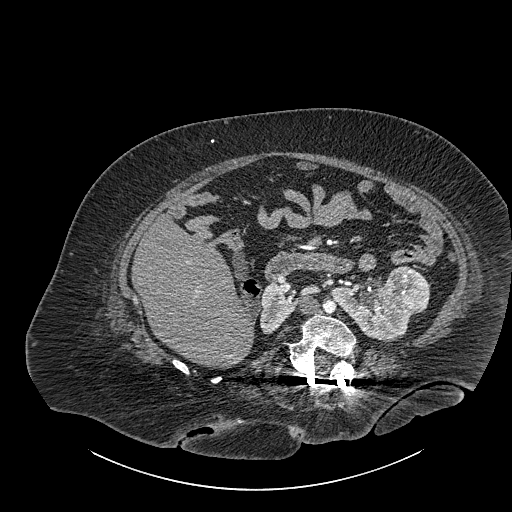
Axial slice 525 of 834 of a contrast-enhanced abdominal CT (slice 1 is the lowest), 140 kVp, kernel I30f; 1.00 mm slice thickness and 0.977 mm pixels.
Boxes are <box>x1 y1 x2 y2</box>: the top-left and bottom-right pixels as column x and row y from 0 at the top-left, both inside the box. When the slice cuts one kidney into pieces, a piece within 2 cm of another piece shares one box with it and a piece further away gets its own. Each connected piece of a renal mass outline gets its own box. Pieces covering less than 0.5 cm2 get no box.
Three boxes on this slice (two kidney boxes and one renal mass box), listed by box centre from the image's left to its right. (1) Right part of the midline-crossing kidney: <box>260 282 320 334</box> (outlined area 1,414 px, about 13.5 cm2). (2) At <box>331 286 411 340</box>: left part of the midline-crossing kidney (outlined area 2,726 px, about 26.0 cm2). (3) Renal mass: <box>384 266 429 313</box> (outlined area 1,711 px, about 16.3 cm2).